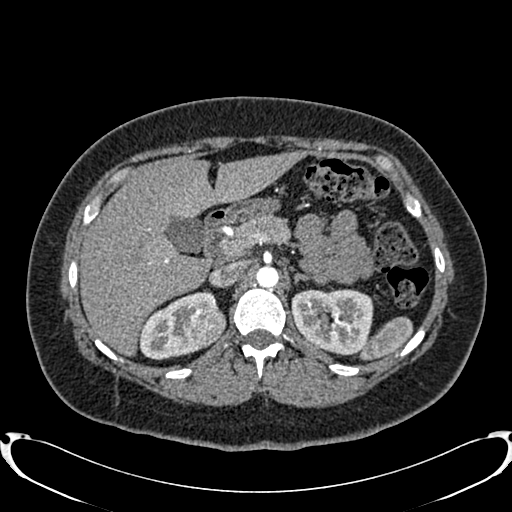
One axial slice (550 of 719, counting up from the lowest) of an arterial-phase abdominal CT acquired with 120 kVp, kernel B20f; each pixel is 0.766 mm and the slice is 1.00 mm thick.
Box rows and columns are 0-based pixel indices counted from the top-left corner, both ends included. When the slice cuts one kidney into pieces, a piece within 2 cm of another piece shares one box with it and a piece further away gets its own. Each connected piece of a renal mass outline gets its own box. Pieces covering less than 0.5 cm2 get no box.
Boxed on this slice (two kidney boxes and one renal mass box), listed by box centre from the image's left to its right: (1) Box rows 290–359, columns 138–218: right kidney (outlined area 2,986 px, about 17.5 cm2). (2) Right renal mass, box rows 308–346, columns 183–225 (outlined area 1,263 px, about 7.4 cm2). (3) Left kidney at rows 288–355, columns 291–373 (outlined area 4,406 px, about 25.8 cm2).